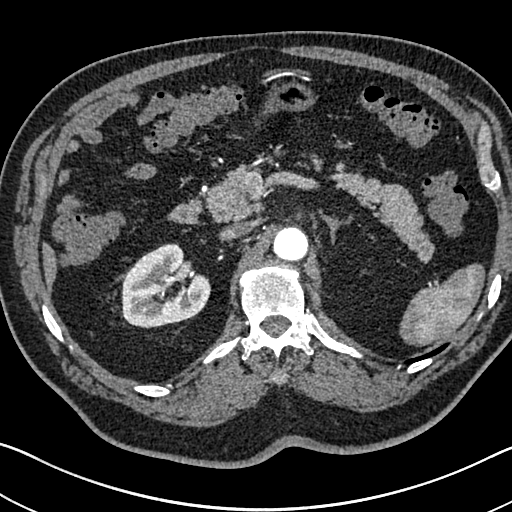
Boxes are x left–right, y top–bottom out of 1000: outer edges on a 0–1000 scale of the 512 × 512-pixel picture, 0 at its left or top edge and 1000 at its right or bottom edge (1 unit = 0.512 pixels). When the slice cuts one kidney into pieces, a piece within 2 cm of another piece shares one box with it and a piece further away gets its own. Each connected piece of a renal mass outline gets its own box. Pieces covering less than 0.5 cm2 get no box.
Slice 482/705 of a contrast-enhanced abdominal CT in the arterial phase, counting up from the lowest; pixel size 0.703 mm, slice thickness 1.00 mm. Right kidney at x 236–414, y 475–643 out of 1000 (outlined area 5,476 px, about 27.1 cm2). No renal mass outline on this slice.
Scan settings: 120 kVp, I30f reconstruction kernel.